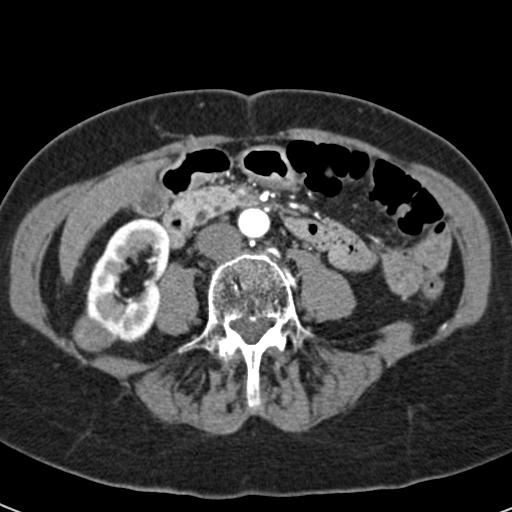
Abdominal CT with intravenous contrast, arterial phase, axial plane, 120 kVp, kernel B30f. Slice 15/53 from the bottom of the scan; thickness 3.00 mm; pixel size 0.547 mm.
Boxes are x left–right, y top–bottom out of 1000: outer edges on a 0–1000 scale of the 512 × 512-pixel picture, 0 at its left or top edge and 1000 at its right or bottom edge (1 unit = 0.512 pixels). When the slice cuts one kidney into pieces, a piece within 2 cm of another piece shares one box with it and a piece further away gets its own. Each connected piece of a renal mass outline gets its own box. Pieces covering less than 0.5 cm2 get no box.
Two boxes on this slice (one kidney box and one renal mass box), listed by box centre from the image's left to its right. (1) Right renal mass, box x 141–230, y 605–689 out of 1000 (outlined area 1,170 px, about 3.5 cm2). (2) Box x 166–334, y 424–670 out of 1000: right kidney (outlined area 6,548 px, about 19.6 cm2).